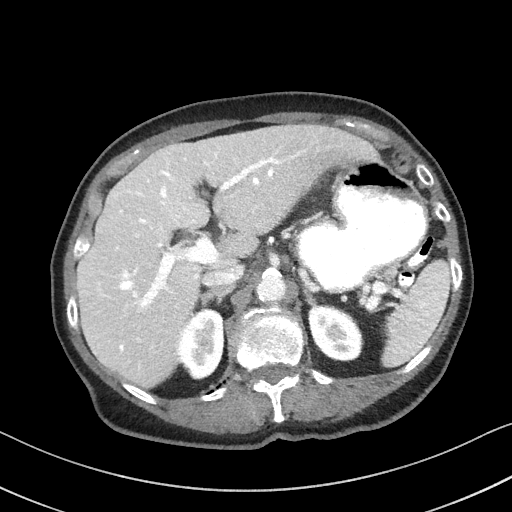
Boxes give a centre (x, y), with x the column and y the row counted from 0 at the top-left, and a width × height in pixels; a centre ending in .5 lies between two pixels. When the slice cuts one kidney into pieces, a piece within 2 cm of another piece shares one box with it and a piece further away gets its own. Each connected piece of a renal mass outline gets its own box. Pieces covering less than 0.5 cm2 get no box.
Slice 70/92 of a contrast-enhanced abdominal CT, counting up from the lowest; pixel size 0.684 mm, slice thickness 3.00 mm. Boxed on this slice (two kidney boxes), listed by box centre from the image's left to its right: (1) Right kidney in a box with centre (201, 343), 47 × 73 pixels (outlined area 2,563 px, about 12.0 cm2). (2) Left kidney, box centre (335, 332), 57 × 59 pixels (outlined area 2,498 px, about 11.7 cm2). No renal mass is outlined on this slice.
Tube voltage 100 kVp; convolution kernel I41f.